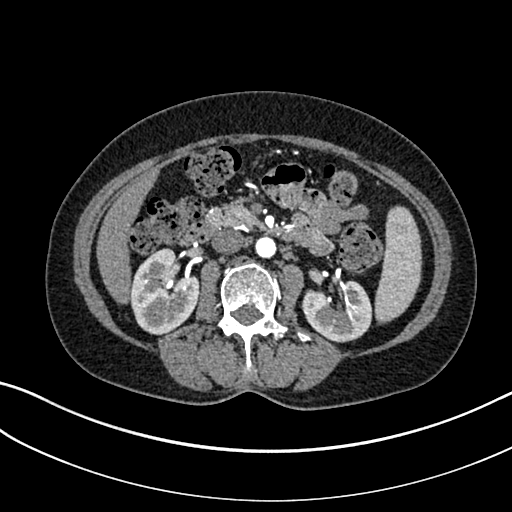
Abdominal CT with intravenous contrast, arterial phase, axial plane, 100 kVp, kernel I30f. Slice 155/325 from the bottom of the scan; thickness 1.00 mm; pixel size 0.703 mm.
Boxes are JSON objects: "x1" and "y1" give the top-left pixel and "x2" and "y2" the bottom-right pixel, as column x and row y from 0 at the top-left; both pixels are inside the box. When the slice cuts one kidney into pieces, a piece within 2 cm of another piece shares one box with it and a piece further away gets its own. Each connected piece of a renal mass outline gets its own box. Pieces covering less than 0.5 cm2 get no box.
Two boxes on this slice (two kidney boxes), listed by box centre from the image's left to its right. (1) Right kidney, box {"x1": 130, "y1": 248, "x2": 199, "y2": 335} (outlined area 4,403 px, about 21.8 cm2). (2) Left kidney at {"x1": 301, "y1": 280, "x2": 372, "y2": 342} (outlined area 3,232 px, about 16.0 cm2). This slice carries no renal mass outline.